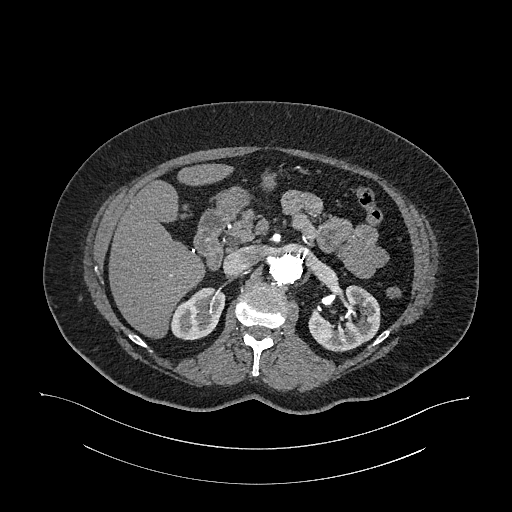
One axial slice (701 of 987, counting up from the lowest) of an arterial-phase abdominal CT acquired with 120 kVp, kernel I26f; each pixel is 0.977 mm and the slice is 1.00 mm thick.
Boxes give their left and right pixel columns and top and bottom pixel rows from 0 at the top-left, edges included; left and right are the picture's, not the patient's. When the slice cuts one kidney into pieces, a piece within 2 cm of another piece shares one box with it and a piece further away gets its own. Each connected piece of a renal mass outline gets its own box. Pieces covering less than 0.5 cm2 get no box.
Two boxes on this slice (two kidney boxes), listed by box centre from the image's left to its right. (1) Right kidney in the box with left 169, top 287, right 225, bottom 340 (outlined area 2,102 px, about 20.0 cm2). (2) Left kidney in the box with left 308, top 285, right 380, bottom 352 (outlined area 3,203 px, about 30.5 cm2). No renal mass is outlined on this slice.